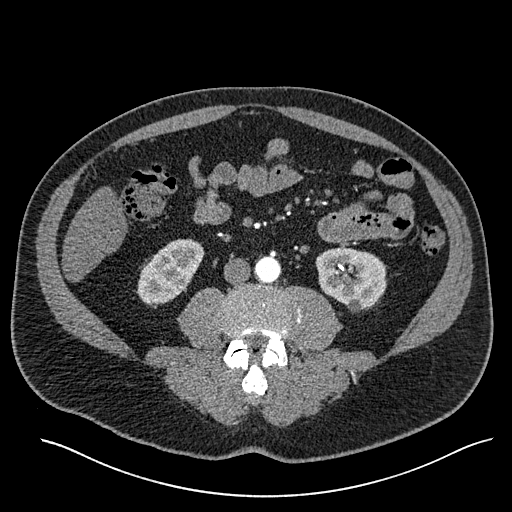
Abdominal CT with intravenous contrast, arterial phase, axial plane, 120 kVp, kernel I30f. Slice 227/527 from the bottom of the scan; thickness 1.00 mm; pixel size 0.859 mm.
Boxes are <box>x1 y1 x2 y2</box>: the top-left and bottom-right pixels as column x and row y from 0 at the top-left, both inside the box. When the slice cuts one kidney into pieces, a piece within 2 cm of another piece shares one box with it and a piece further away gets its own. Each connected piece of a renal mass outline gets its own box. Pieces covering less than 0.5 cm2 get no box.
Two boxes on this slice (two kidney boxes), listed by box centre from the image's left to its right. (1) At <box>137 238 204 304</box>: right kidney (outlined area 2,936 px, about 21.7 cm2). (2) Left kidney at <box>315 247 387 312</box> (outlined area 3,534 px, about 26.1 cm2). This slice carries no renal mass outline.